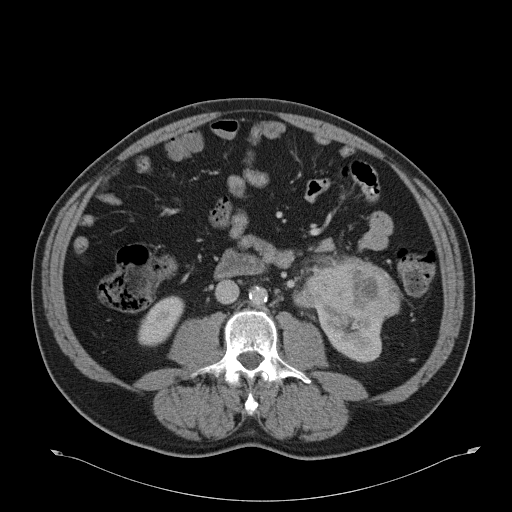
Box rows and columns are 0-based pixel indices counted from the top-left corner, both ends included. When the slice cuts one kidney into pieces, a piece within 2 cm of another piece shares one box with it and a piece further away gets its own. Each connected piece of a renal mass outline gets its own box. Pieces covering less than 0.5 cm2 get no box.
Contrast-enhanced abdominal CT, axial slice 13 of 51 (counted from the lowest slice); 5.00 mm thick, 0.865 mm per pixel. Boxed on this slice (two kidney boxes and one renal mass box), listed by box centre from the image's left to its right: (1) Box rows 295–346, columns 138–184: right kidney (outlined area 1,548 px, about 11.6 cm2). (2) Box rows 261–317, columns 293–400: left renal mass (outlined area 4,203 px, about 31.5 cm2). (3) Left kidney, box rows 304–362, columns 316–386 (outlined area 2,805 px, about 21.0 cm2).
Tube voltage 120 kVp; convolution kernel B31f.